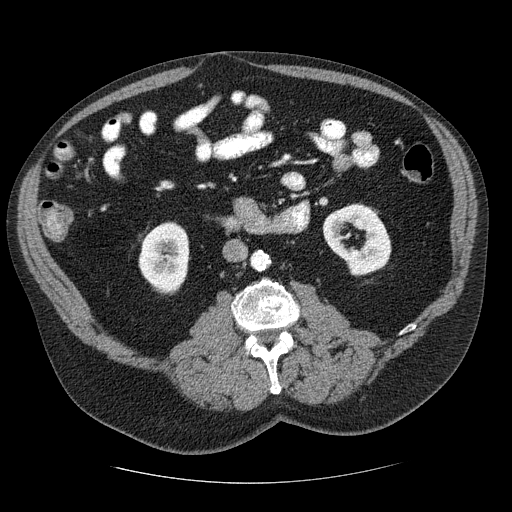
One axial slice (117 of 206, counting up from the lowest) of a contrast-enhanced abdominal CT acquired with 120 kVp, kernel STANDARD; each pixel is 0.879 mm and the slice is 2.50 mm thick.
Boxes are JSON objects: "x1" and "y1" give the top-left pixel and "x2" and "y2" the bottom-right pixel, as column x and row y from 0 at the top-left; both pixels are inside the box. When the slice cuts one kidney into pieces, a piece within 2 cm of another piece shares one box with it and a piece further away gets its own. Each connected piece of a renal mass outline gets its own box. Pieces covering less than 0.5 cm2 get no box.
Two boxes on this slice (two kidney boxes), listed by box centre from the image's left to its right. (1) Right kidney at {"x1": 138, "y1": 221, "x2": 190, "y2": 295} (outlined area 2,958 px, about 22.8 cm2). (2) Left kidney at {"x1": 322, "y1": 202, "x2": 391, "y2": 276} (outlined area 3,404 px, about 26.3 cm2). No renal mass is outlined on this slice.